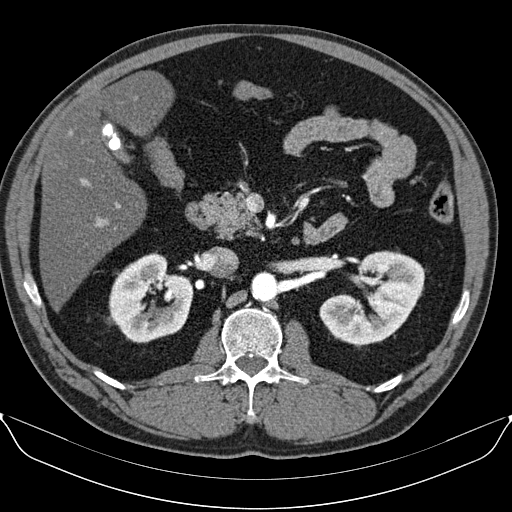
One axial slice (56 of 96, counting up from the lowest) of an arterial-phase abdominal CT acquired with 130 kVp, kernel B30s; each pixel is 0.781 mm and the slice is 3.00 mm thick.
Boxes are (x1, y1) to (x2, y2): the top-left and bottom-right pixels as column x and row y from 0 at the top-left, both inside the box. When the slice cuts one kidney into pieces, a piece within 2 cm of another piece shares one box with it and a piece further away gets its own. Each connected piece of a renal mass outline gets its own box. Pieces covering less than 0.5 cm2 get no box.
Boxed on this slice (two kidney boxes), listed by box centre from the image's left to its right: (1) Right kidney, box (108, 253) to (193, 343) (outlined area 5,332 px, about 32.5 cm2). (2) Left kidney from (319, 250) to (425, 348) (outlined area 6,427 px, about 39.2 cm2). This slice carries no renal mass outline.